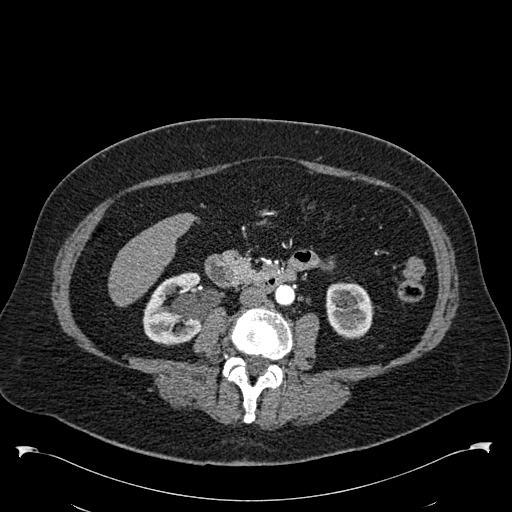
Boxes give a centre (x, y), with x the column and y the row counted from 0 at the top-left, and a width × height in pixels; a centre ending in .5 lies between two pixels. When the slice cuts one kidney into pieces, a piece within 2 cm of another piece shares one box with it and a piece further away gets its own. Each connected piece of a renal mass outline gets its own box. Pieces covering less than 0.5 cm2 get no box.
This is axial slice 264 of 538 (slice 1 is the lowest) of an arterial-phase abdominal CT with contrast; each pixel is 0.811 mm and the slice is 1.00 mm thick. Two boxes on this slice (two kidney boxes), listed by box centre from the image's left to its right. (1) Right kidney in a box with centre (171, 308.5), 59 × 74 pixels (outlined area 3,336 px, about 21.9 cm2). (2) Box centre (349, 310), 49 × 57 pixels: left kidney (outlined area 2,227 px, about 14.6 cm2). This slice carries no renal mass outline.
Acquired at 120 kVp and reconstructed with the B30f kernel.